Arterial-phase contrast-enhanced abdominal CT, axial slice 54 of 88 (counted from the lowest slice); tube voltage 100 kVp, convolution kernel I40f; slices 5.00 mm thick, 0.705 mm per pixel.
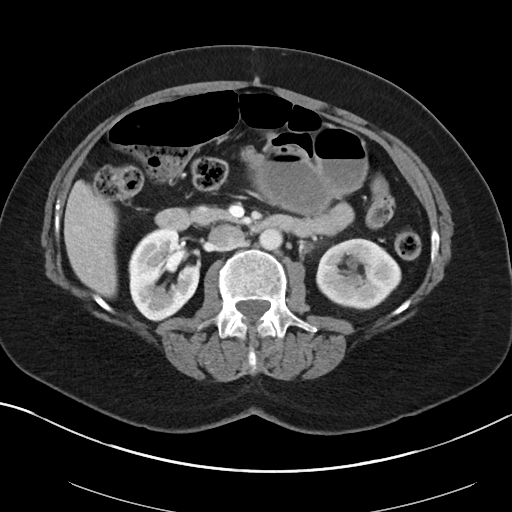
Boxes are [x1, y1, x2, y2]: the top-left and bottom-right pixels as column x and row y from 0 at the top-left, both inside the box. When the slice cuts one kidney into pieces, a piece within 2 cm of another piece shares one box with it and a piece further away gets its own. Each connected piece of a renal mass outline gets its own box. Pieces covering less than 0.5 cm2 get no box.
Boxed on this slice (two kidney boxes), listed by box centre from the image's left to its right: (1) Right kidney, box [128, 228, 199, 321] (outlined area 4,817 px, about 23.9 cm2). (2) Left kidney, box [316, 238, 401, 309] (outlined area 4,611 px, about 22.9 cm2). No renal mass is outlined on this slice.